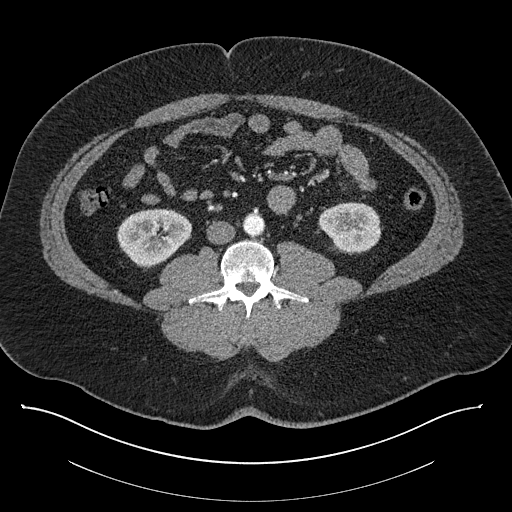
Axial slice 387 of 787 of a contrast-enhanced abdominal CT (slice 1 is the lowest), 140 kVp, kernel I30f; 1.00 mm slice thickness and 0.910 mm pixels.
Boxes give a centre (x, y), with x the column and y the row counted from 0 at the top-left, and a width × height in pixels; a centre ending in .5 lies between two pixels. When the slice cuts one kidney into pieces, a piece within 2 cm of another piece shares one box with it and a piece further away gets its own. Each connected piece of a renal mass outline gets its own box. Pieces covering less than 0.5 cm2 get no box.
Boxed on this slice (two kidney boxes), listed by box centre from the image's left to its right: (1) Right kidney, box centre (154, 237), 75 × 59 pixels (outlined area 3,240 px, about 26.8 cm2). (2) Left kidney in a box with centre (350, 228), 65 × 53 pixels (outlined area 2,541 px, about 21.0 cm2). This slice carries no renal mass outline.